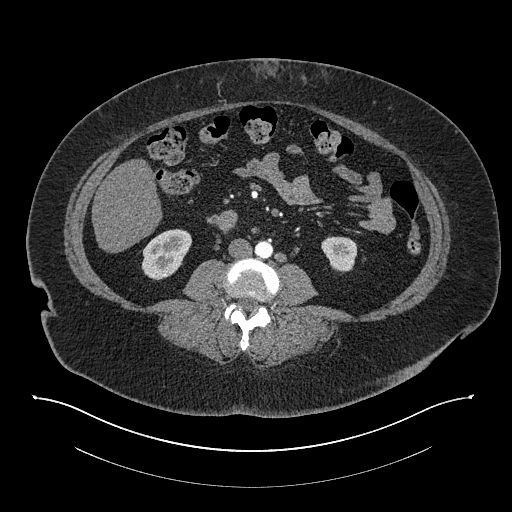
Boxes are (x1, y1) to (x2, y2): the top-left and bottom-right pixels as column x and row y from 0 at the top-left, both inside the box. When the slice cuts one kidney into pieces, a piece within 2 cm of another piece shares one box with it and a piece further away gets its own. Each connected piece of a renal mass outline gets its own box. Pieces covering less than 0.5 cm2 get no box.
Arterial-phase contrast-enhanced abdominal CT, axial slice 361 of 673 (counted from the lowest slice); 1.00 mm thick, 0.957 mm per pixel. Two kidney boxes on this slice; by box centre, from the image's left to its right: (1) Right kidney, box (141, 229) to (192, 280) (outlined area 1,857 px, about 17.0 cm2). (2) Left kidney from (321, 236) to (357, 272) (outlined area 1,022 px, about 9.4 cm2). This slice carries no renal mass outline.
Tube voltage 140 kVp; convolution kernel I30f.